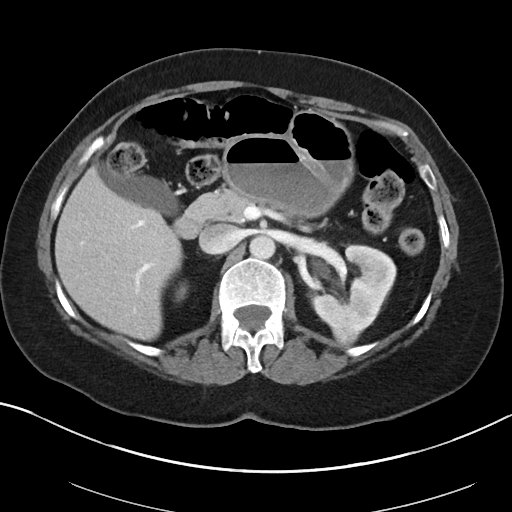
One axial slice (61 of 88, counting up from the lowest) of an arterial-phase abdominal CT acquired with 100 kVp, kernel I40f; each pixel is 0.705 mm and the slice is 5.00 mm thick.
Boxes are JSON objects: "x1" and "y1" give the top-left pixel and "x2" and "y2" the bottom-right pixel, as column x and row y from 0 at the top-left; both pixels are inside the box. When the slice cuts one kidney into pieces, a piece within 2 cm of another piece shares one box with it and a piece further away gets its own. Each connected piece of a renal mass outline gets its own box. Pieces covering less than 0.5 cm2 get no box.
Three boxes on this slice (two kidney boxes and one renal mass box), listed by box centre from the image's left to its right. (1) Box {"x1": 175, "y1": 283, "x2": 187, "y2": 301}: right kidney (outlined area 157 px, about 0.8 cm2). (2) Left renal mass, box {"x1": 331, "y1": 318, "x2": 360, "y2": 342} (outlined area 544 px, about 2.7 cm2). (3) Left kidney at {"x1": 309, "y1": 244, "x2": 396, "y2": 333} (outlined area 4,903 px, about 24.4 cm2).